One axial slice (63 of 110, counting up from the lowest) of an arterial-phase abdominal CT acquired with 130 kVp, kernel B30s; each pixel is 0.836 mm and the slice is 5.00 mm thick.
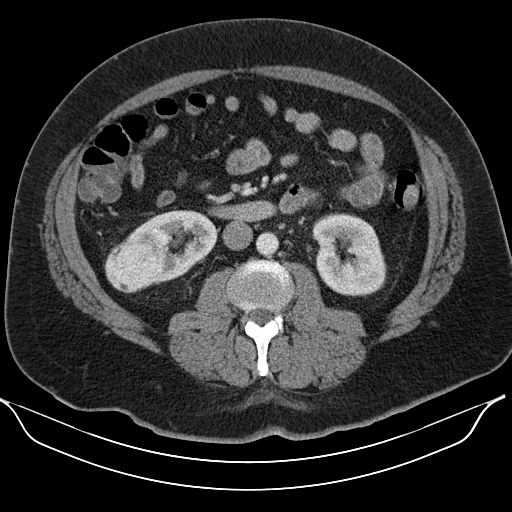
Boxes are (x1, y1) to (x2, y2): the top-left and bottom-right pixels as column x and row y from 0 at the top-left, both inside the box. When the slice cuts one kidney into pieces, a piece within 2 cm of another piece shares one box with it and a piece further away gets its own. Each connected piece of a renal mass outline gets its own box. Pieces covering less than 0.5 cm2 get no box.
Boxed on this slice (two kidney boxes and one renal mass box), listed by box centre from the image's left to its right: (1) Box (104, 241) to (159, 292): right renal mass (outlined area 2,275 px, about 15.9 cm2). (2) Right kidney from (120, 210) to (217, 284) (outlined area 3,829 px, about 26.8 cm2). (3) Left kidney, box (312, 212) to (386, 296) (outlined area 4,821 px, about 33.7 cm2).